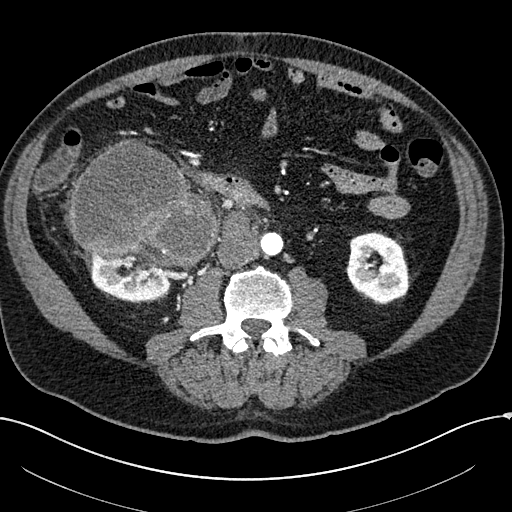
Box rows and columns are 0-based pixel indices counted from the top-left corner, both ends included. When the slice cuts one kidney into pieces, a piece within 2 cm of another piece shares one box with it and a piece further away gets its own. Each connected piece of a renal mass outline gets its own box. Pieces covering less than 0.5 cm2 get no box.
Slice 70/304 of a contrast-enhanced abdominal CT in the arterial phase, counting up from the lowest; pixel size 0.809 mm, slice thickness 2.00 mm. Two kidney boxes and one renal mass box on this slice; by box centre, from the image's left to its right: (1) Right kidney at rows 250–302, columns 85–172 (outlined area 3,037 px, about 19.9 cm2). (2) Right renal mass at rows 139–270, columns 69–218 (outlined area 13,802 px, about 90.2 cm2). (3) Box rows 233–304, columns 346–408: left kidney (outlined area 3,444 px, about 22.5 cm2).
Scan settings: 100 kVp, I30f reconstruction kernel.